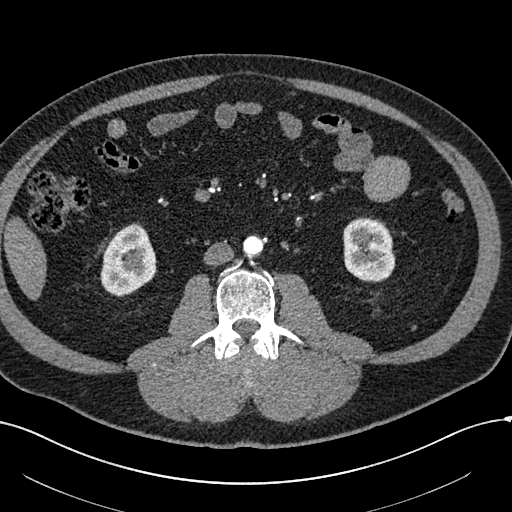
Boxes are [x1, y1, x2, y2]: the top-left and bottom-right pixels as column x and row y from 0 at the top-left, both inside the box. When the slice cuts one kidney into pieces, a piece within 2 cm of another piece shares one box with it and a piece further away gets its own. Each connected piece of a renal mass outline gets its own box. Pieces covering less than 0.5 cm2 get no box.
Arterial-phase contrast-enhanced abdominal CT, axial slice 241 of 602 (counted from the lowest slice); 1.00 mm thick, 0.799 mm per pixel. Three boxes on this slice (two kidney boxes and one renal mass box), listed by box centre from the image's left to its right. (1) Right renal mass at [106, 258, 119, 271] (outlined area 142 px, about 0.9 cm2). (2) Right kidney at [100, 222, 156, 296] (outlined area 2,936 px, about 18.7 cm2). (3) Left kidney, box [343, 217, 395, 282] (outlined area 2,848 px, about 18.2 cm2).
Tube voltage 120 kVp; convolution kernel I30f.